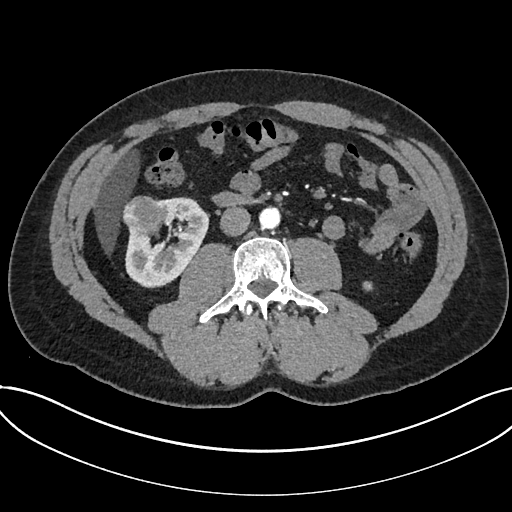
Abdominal CT with intravenous contrast, arterial phase, axial plane, 120 kVp, kernel I30f. Slice 351/735 from the bottom of the scan; thickness 1.00 mm; pixel size 0.789 mm.
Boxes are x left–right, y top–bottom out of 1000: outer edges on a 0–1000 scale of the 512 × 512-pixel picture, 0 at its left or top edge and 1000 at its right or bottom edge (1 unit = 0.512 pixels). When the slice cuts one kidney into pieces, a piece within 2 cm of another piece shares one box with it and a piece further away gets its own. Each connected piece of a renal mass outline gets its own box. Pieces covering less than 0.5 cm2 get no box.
One kidney box and one renal mass box on this slice; by box centre, from the image's left to its right: (1) Renal mass, box x 238–324, y 383–461 out of 1000 (outlined area 1,381 px, about 8.6 cm2). (2) Box x 244–408, y 385–564 out of 1000: kidney (outlined area 4,588 px, about 28.6 cm2).